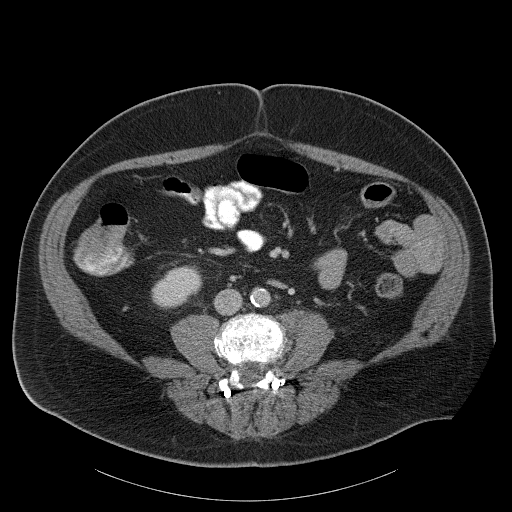
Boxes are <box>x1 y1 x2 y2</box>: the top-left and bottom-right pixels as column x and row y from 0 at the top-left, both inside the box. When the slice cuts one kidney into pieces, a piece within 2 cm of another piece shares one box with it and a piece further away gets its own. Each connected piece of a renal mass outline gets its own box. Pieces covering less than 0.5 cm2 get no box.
This is axial slice 51 of 107 (slice 1 is the lowest) of an abdominal CT with contrast; each pixel is 0.941 mm and the slice is 5.00 mm thick. At <box>151 265 202 309</box>: right kidney (outlined area 1,624 px, about 14.4 cm2). No renal mass is outlined on this slice.
Acquired at 120 kVp and reconstructed with the B31f kernel.